Axial slice 437 of 612 of a contrast-enhanced abdominal CT in the arterial phase (slice 1 is the lowest), 120 kVp, kernel I30f; 1.00 mm slice thickness and 0.703 mm pixels.
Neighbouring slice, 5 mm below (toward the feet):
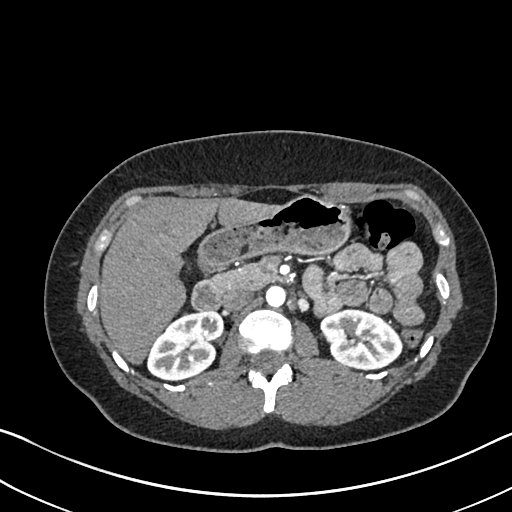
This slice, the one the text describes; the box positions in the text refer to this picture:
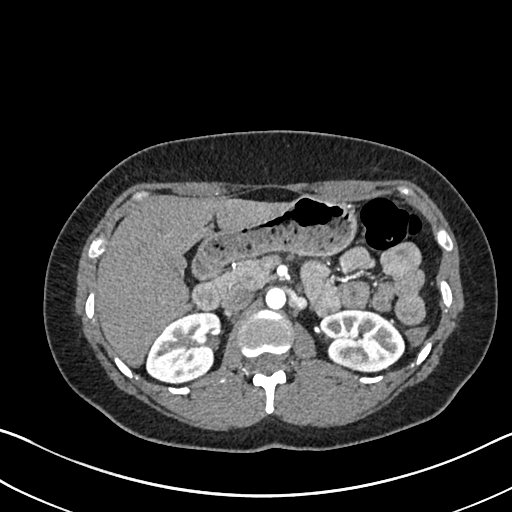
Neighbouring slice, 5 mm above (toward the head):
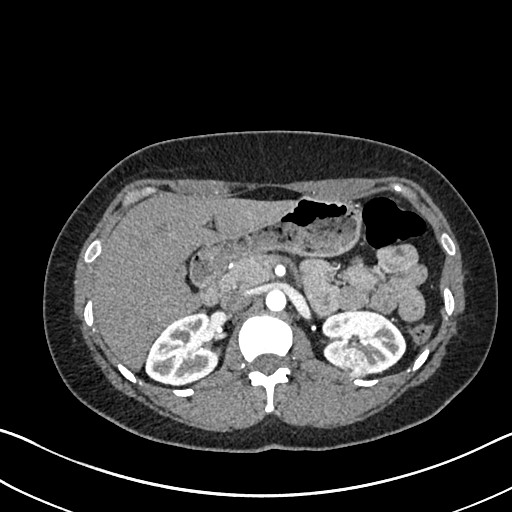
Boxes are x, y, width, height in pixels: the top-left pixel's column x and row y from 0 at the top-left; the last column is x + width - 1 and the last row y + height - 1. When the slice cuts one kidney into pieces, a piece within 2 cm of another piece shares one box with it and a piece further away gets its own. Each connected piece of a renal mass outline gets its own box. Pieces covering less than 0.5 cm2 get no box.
Boxed on this slice (two kidney boxes and one renal mass box), listed by box centre from the image's left to its right: (1) Right kidney at x 146, y 312, width 77, height 73 (outlined area 3,989 px, about 19.7 cm2). (2) Left renal mass at x 345, y 351, width 23, height 20 (outlined area 354 px, about 1.8 cm2). (3) Box x 317, y 308, width 89, height 64: left kidney (outlined area 3,819 px, about 18.9 cm2). This slice lies near the end of the left renal mass toward the feet; the slices 5 mm below and 5 mm above it are shown too, and the boxes mark positions on this slice only.